Axial slice 259 of 532 of a contrast-enhanced abdominal CT in the arterial phase (slice 1 is the lowest), 120 kVp, kernel B30f; 1.00 mm slice thickness and 0.713 mm pixels.
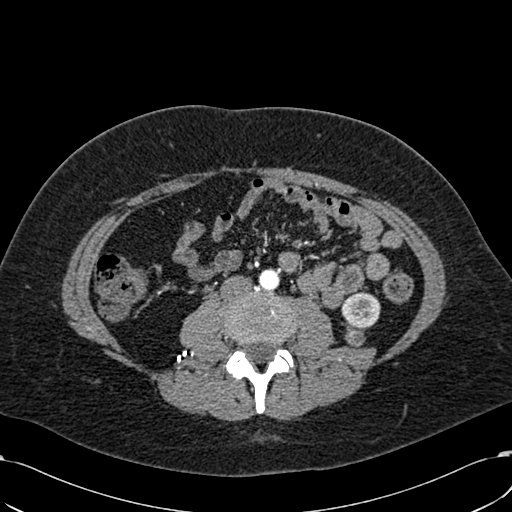
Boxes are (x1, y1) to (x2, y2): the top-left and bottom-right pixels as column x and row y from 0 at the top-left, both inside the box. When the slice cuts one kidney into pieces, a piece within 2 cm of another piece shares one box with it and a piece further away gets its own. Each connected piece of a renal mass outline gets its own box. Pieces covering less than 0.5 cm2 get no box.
Boxed on this slice (one kidney box and one renal mass box), listed by box centre from the image's left to its right: (1) Box (344, 324) to (365, 347): left renal mass (outlined area 352 px, about 1.8 cm2). (2) Left kidney from (341, 291) to (380, 329) (outlined area 1,154 px, about 5.9 cm2).